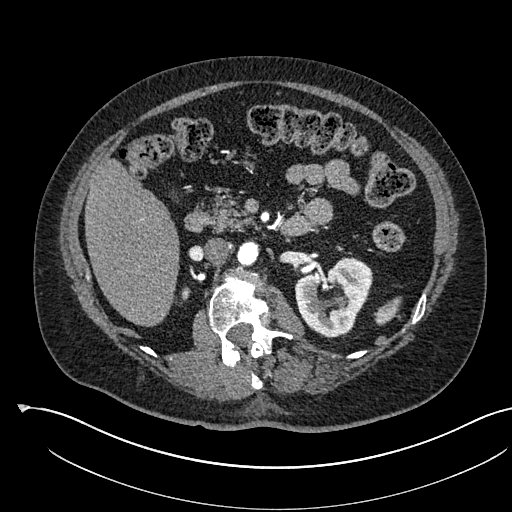
One axial slice (344 of 541, counting up from the lowest) of an arterial-phase abdominal CT acquired with 120 kVp, kernel I30f; each pixel is 0.834 mm and the slice is 1.00 mm thick.
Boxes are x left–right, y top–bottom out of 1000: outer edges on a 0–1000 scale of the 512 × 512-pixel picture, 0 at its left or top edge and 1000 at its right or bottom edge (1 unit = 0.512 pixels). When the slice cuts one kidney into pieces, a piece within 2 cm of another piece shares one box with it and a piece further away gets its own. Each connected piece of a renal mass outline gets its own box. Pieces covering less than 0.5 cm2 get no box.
Boxed on this slice (two kidney boxes), listed by box centre from the image's left to its right: (1) Box x 354–371, y 561–588 out of 1000: right kidney (outlined area 95 px, about 0.7 cm2). (2) Left kidney at x 576–729, y 500–660 out of 1000 (outlined area 4,329 px, about 30.1 cm2). This slice carries no renal mass outline.